Abdominal CT with intravenous contrast, arterial phase, axial plane, 120 kVp, kernel B31f. Slice 164/326 from the bottom of the scan; thickness 2.00 mm; pixel size 0.963 mm.
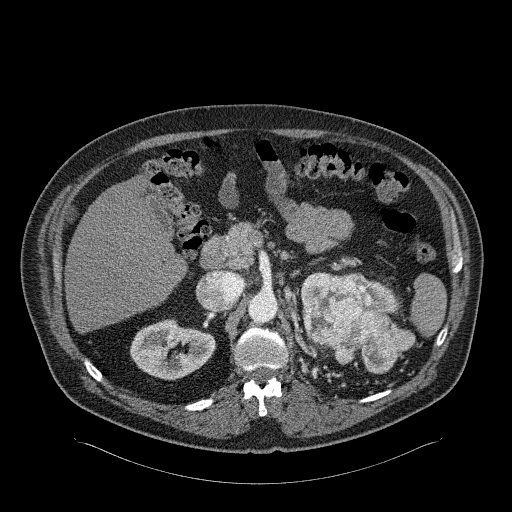
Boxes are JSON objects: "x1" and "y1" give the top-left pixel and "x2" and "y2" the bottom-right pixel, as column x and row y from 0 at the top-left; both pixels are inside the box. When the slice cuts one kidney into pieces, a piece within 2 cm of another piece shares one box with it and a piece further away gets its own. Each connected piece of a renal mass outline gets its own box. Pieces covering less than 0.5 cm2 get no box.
Three boxes on this slice (two kidney boxes and one renal mass box), listed by box centre from the image's left to its right. (1) Box {"x1": 130, "y1": 318, "x2": 216, "y2": 380}: right kidney (outlined area 3,694 px, about 34.2 cm2). (2) Left kidney, box {"x1": 300, "y1": 272, "x2": 399, "y2": 313} (outlined area 1,449 px, about 13.4 cm2). (3) Left renal mass at {"x1": 302, "y1": 275, "x2": 415, "y2": 373} (outlined area 6,522 px, about 60.5 cm2).